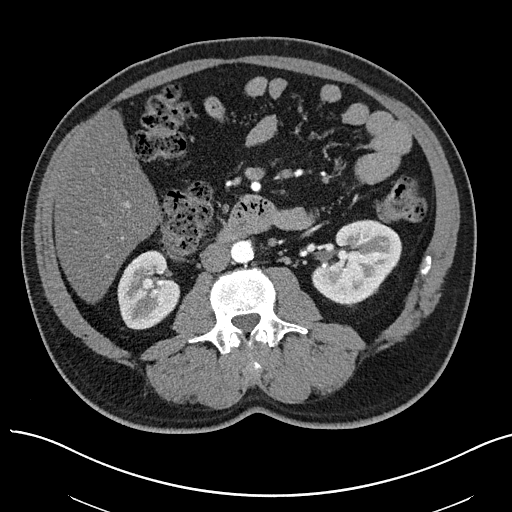
Axial slice 26 of 97 of a contrast-enhanced abdominal CT in the arterial phase (slice 1 is the lowest), 100 kVp, kernel I40f; 3.00 mm slice thickness and 0.797 mm pixels.
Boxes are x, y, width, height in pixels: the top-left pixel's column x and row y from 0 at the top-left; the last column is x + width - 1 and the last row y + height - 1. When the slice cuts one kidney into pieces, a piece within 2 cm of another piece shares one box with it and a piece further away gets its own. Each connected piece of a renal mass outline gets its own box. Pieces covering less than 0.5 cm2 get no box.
Two kidney boxes on this slice; by box centre, from the image's left to its right: (1) Box x 117, y 250, width 64, height 80: right kidney (outlined area 3,708 px, about 23.5 cm2). (2) Left kidney at x 312, y 219, width 90, height 88 (outlined area 5,335 px, about 33.9 cm2).